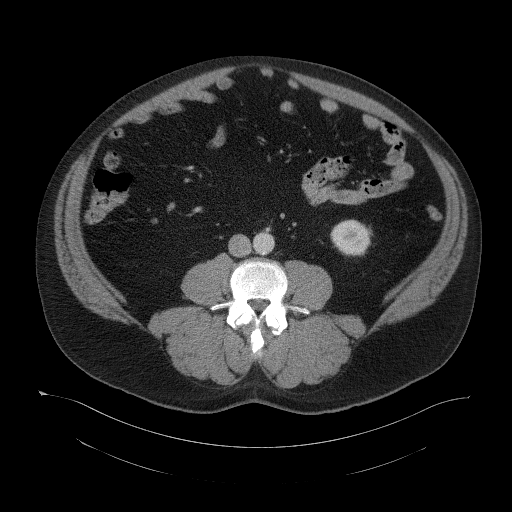
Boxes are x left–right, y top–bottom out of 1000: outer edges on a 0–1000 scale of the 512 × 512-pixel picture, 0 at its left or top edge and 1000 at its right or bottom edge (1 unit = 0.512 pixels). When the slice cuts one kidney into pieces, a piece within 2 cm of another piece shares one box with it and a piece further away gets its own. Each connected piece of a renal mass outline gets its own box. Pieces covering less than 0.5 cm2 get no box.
Slice 53/104 of a contrast-enhanced abdominal CT, counting up from the lowest; pixel size 0.977 mm, slice thickness 5.00 mm. Box x 645–729, y 428–502 out of 1000: left kidney (outlined area 1,198 px, about 11.4 cm2). This slice carries no renal mass outline.
Acquired at 120 kVp and reconstructed with the B41f kernel.